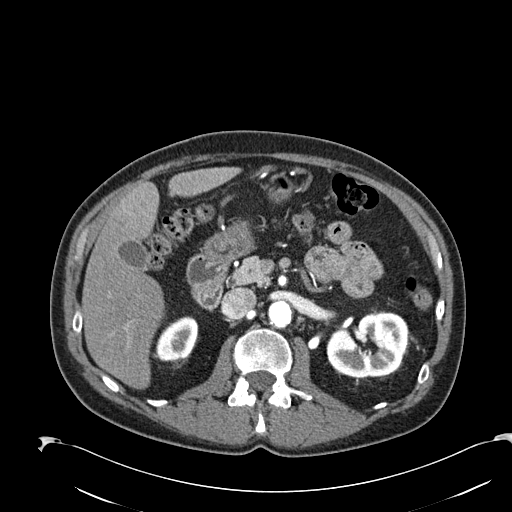
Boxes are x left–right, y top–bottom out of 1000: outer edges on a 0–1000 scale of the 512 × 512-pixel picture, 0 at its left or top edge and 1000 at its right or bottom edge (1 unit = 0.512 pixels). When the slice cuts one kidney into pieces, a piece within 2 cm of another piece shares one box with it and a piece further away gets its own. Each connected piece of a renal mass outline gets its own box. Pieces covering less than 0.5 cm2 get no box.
This is axial slice 133 of 274 (slice 1 is the lowest) of an arterial-phase abdominal CT with contrast; each pixel is 0.809 mm and the slice is 2.00 mm thick. Boxed on this slice (two kidney boxes), listed by box centre from the image's left to its right: (1) Right kidney at x 303–389, y 617–707 out of 1000 (outlined area 1,452 px, about 9.5 cm2). (2) Left kidney, box x 637–799, y 609–740 out of 1000 (outlined area 4,166 px, about 27.2 cm2). No renal mass is outlined on this slice.
Scan settings: 120 kVp, B30f reconstruction kernel.